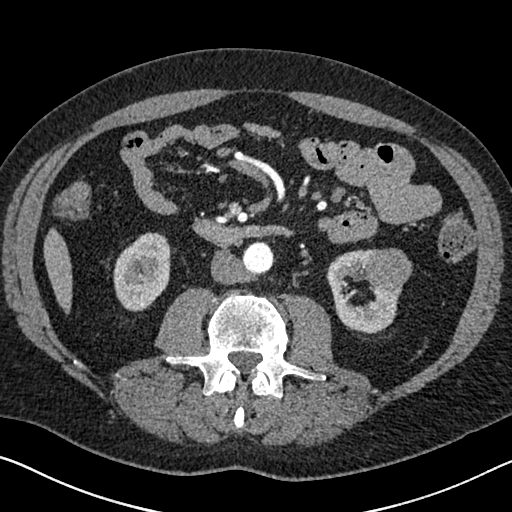
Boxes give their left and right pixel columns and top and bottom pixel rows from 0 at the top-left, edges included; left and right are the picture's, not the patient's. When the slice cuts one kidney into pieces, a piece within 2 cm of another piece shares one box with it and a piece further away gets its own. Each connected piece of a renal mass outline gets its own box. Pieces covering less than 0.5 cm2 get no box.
Arterial-phase contrast-enhanced abdominal CT, axial slice 323 of 626 (counted from the lowest slice); 1.00 mm thick, 0.703 mm per pixel. Boxed on this slice (two kidney boxes and one renal mass box), listed by box centre from the image's left to its right: (1) Box with left 113, top 232, right 170, bottom 311: right kidney (outlined area 3,489 px, about 17.2 cm2). (2) Left kidney in the box with left 326, top 249, right 401, bottom 333 (outlined area 3,429 px, about 17.0 cm2). (3) Left renal mass in the box with left 364, top 248, right 412, bottom 291 (outlined area 1,661 px, about 8.2 cm2).
Acquired at 120 kVp and reconstructed with the I30f kernel.